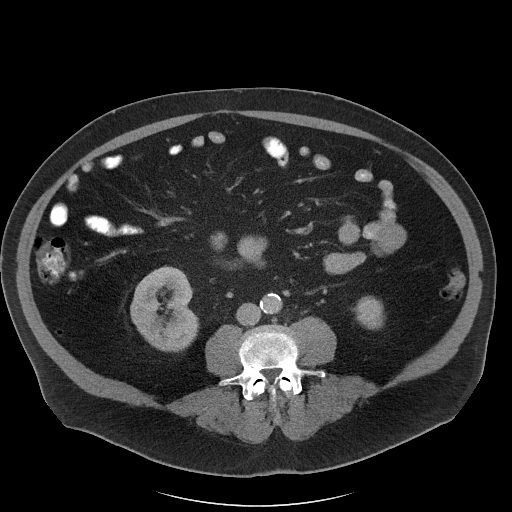
One axial slice (52 of 102, counting up from the lowest) of a contrast-enhanced abdominal CT acquired with 120 kVp, kernel I40f; each pixel is 0.977 mm and the slice is 5.00 mm thick.
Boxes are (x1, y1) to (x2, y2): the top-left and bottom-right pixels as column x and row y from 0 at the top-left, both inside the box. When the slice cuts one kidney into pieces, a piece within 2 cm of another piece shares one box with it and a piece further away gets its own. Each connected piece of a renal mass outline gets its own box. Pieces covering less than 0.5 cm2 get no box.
Boxed on this slice (two kidney boxes), listed by box centre from the image's left to its right: (1) Right kidney from (130, 266) to (198, 351) (outlined area 4,354 px, about 41.5 cm2). (2) Box (353, 296) to (384, 329): left kidney (outlined area 787 px, about 7.5 cm2). No renal mass outline on this slice.